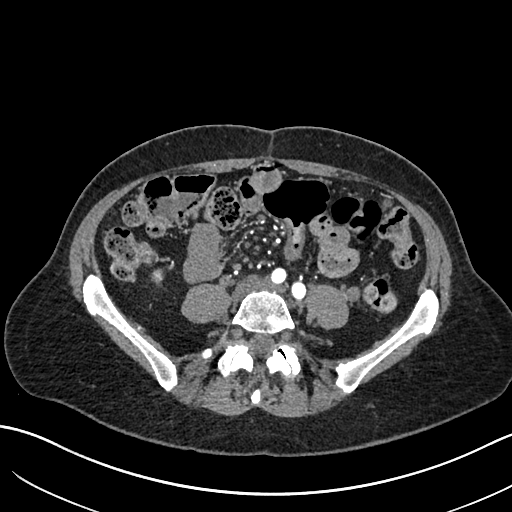
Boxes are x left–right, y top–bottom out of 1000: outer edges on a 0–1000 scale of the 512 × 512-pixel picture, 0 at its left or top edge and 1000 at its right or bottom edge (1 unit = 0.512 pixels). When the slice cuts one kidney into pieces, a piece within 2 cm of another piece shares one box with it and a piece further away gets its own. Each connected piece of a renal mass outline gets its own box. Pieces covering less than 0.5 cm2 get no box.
Arterial-phase contrast-enhanced abdominal CT, axial slice 238 of 683 (counted from the lowest slice); 1.00 mm thick, 0.738 mm per pixel. Right kidney, box x 297–320, y 525–553 out of 1000 (outlined area 131 px, about 0.7 cm2). No renal mass is outlined on this slice.
Scan settings: 120 kVp, I30f reconstruction kernel.